Axial slice 276 of 527 of a contrast-enhanced abdominal CT in the arterial phase (slice 1 is the lowest), 120 kVp, kernel I30f; 1.00 mm slice thickness and 0.859 mm pixels.
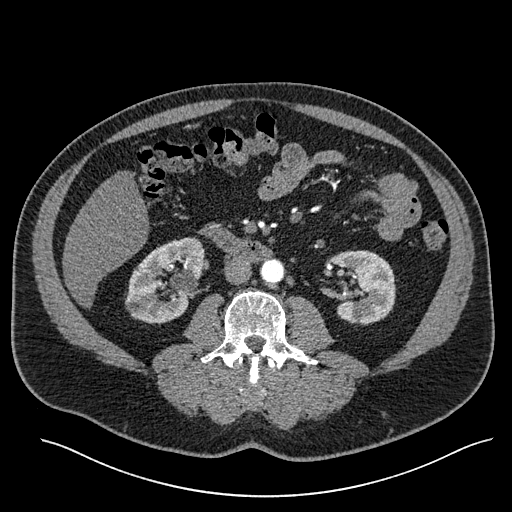
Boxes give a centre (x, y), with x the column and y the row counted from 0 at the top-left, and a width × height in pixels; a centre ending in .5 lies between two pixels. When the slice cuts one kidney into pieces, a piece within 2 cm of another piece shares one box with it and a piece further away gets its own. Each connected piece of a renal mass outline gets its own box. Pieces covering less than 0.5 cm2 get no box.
Boxed on this slice (two kidney boxes), listed by box centre from the image's left to its right: (1) Right kidney, box centre (163.5, 280.5), 78 × 88 pixels (outlined area 4,737 px, about 35.0 cm2). (2) Box centre (364, 287.5), 63 × 76 pixels: left kidney (outlined area 3,766 px, about 27.8 cm2). No renal mass is outlined on this slice.